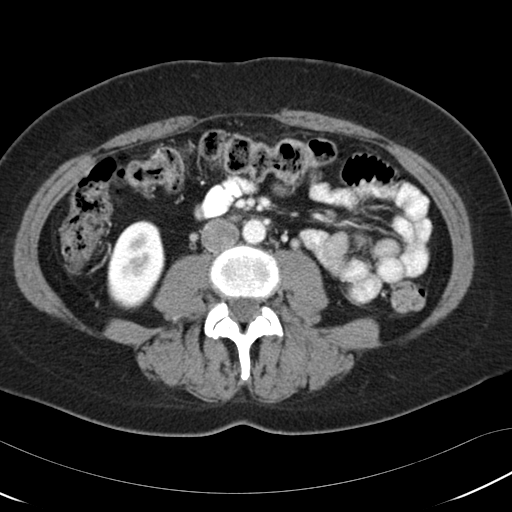
Axial slice 54 of 97 of a contrast-enhanced abdominal CT (slice 1 is the lowest), 120 kVp, kernel B30f; 5.00 mm slice thickness and 0.664 mm pixels.
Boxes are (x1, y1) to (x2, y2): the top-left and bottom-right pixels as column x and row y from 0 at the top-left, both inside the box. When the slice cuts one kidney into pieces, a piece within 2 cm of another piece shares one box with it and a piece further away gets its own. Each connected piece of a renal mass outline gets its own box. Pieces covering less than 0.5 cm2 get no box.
Right kidney, box (107, 220) to (165, 309) (outlined area 3,940 px, about 17.4 cm2). No renal mass is outlined on this slice.